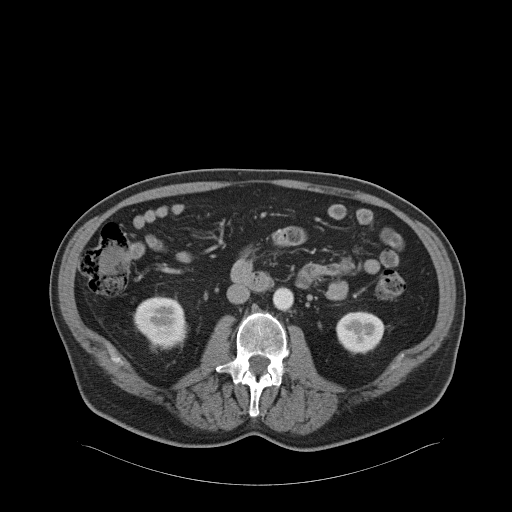
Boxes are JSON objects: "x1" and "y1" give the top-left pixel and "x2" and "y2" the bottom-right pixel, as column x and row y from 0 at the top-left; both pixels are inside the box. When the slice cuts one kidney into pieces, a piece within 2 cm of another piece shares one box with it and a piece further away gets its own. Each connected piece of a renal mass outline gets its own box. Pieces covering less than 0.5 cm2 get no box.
Arterial-phase contrast-enhanced abdominal CT, axial slice 23 of 68 (counted from the lowest slice); 5.00 mm thick, 0.961 mm per pixel. Two boxes on this slice (two kidney boxes), listed by box centre from the image's left to its right. (1) Right kidney, box {"x1": 133, "y1": 296, "x2": 187, "y2": 349} (outlined area 2,212 px, about 20.4 cm2). (2) Box {"x1": 335, "y1": 311, "x2": 385, "y2": 353}: left kidney (outlined area 1,644 px, about 15.2 cm2). No renal mass is outlined on this slice.
Acquired at 120 kVp and reconstructed with the B31f kernel.